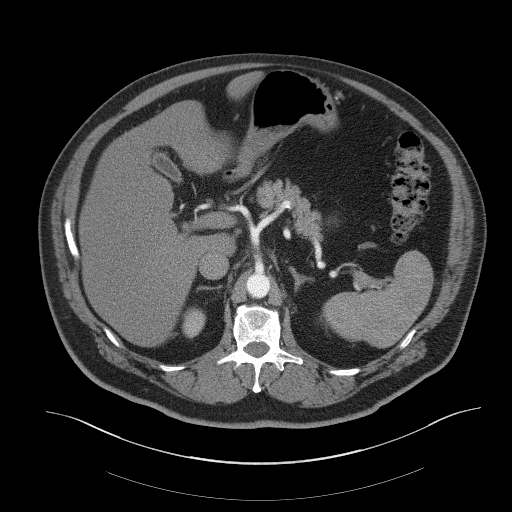
Abdominal CT with intravenous contrast, axial plane, 140 kVp, kernel B41f. Slice 41/61 from the bottom of the scan; thickness 3.00 mm; pixel size 0.939 mm.
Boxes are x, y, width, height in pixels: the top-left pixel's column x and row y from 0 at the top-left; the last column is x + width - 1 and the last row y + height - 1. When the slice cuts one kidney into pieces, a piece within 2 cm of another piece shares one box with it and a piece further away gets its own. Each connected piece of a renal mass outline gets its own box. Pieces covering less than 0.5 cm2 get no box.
Right kidney at x 181, y 307, width 25, height 32 (outlined area 591 px, about 5.2 cm2). This slice carries no renal mass outline.